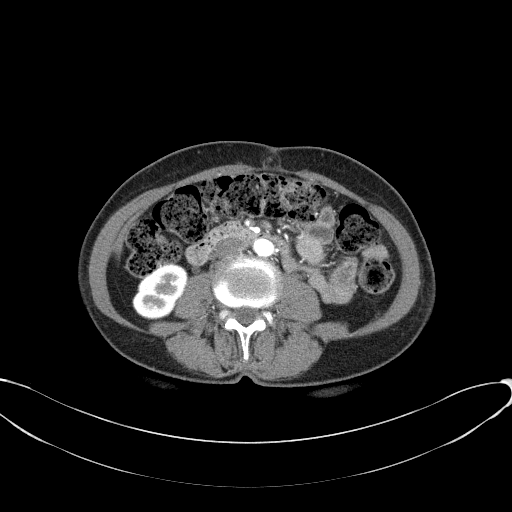
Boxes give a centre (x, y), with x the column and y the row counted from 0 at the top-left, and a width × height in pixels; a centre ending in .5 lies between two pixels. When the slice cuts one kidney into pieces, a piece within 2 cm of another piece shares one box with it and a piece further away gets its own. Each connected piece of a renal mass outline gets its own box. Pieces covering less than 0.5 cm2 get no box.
Arterial-phase contrast-enhanced abdominal CT, axial slice 18 of 77 (counted from the lowest slice); 3.00 mm thick, 0.809 mm per pixel. Box centre (160, 291.5), 57 × 56 pixels: right kidney (outlined area 2,181 px, about 14.3 cm2). No renal mass is outlined on this slice.
Tube voltage 100 kVp; convolution kernel B41f.